Contrast-enhanced abdominal CT, axial slice 316 of 433 (counted from the lowest slice); tube voltage 120 kVp, convolution kernel B30f; slices 1.00 mm thick, 0.672 mm per pixel.
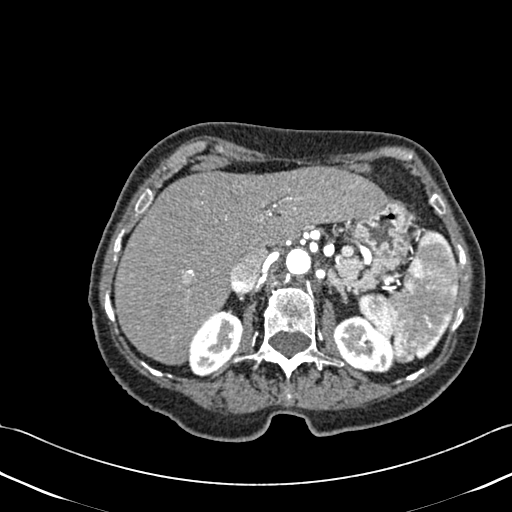
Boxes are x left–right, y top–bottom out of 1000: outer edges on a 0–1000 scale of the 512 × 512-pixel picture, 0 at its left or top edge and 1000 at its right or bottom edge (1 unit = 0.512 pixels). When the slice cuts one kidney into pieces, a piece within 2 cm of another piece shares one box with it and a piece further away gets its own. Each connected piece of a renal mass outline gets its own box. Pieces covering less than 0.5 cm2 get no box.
Boxed on this slice (two kidney boxes), listed by box centre from the image's left to its right: (1) Right kidney, box x 369–475, y 605–736 out of 1000 (outlined area 2,503 px, about 11.3 cm2). (2) Left kidney at x 650–771, y 615–729 out of 1000 (outlined area 2,558 px, about 11.5 cm2). No renal mass outline on this slice.